Abdominal CT with intravenous contrast, arterial phase, axial plane, 120 kVp, kernel I26f. Slice 254/470 from the bottom of the scan; thickness 1.00 mm; pixel size 0.938 mm.
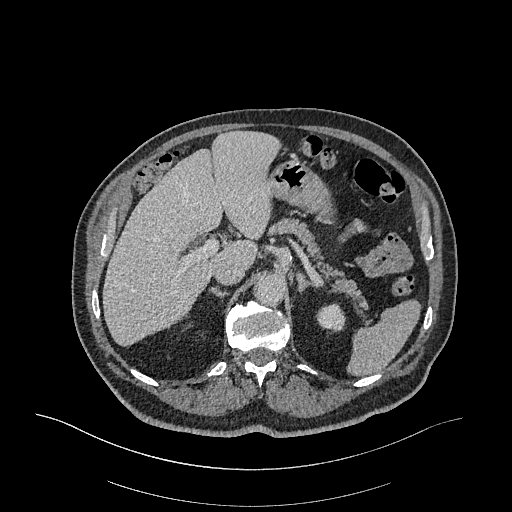
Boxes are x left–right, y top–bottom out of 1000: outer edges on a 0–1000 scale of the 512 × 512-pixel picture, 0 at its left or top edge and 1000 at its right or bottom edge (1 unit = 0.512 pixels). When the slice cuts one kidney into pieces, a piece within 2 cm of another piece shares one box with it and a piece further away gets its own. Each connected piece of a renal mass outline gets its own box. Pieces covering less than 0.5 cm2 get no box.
Left kidney at x 617–676, y 592–652 out of 1000 (outlined area 663 px, about 5.8 cm2). This slice carries no renal mass outline.